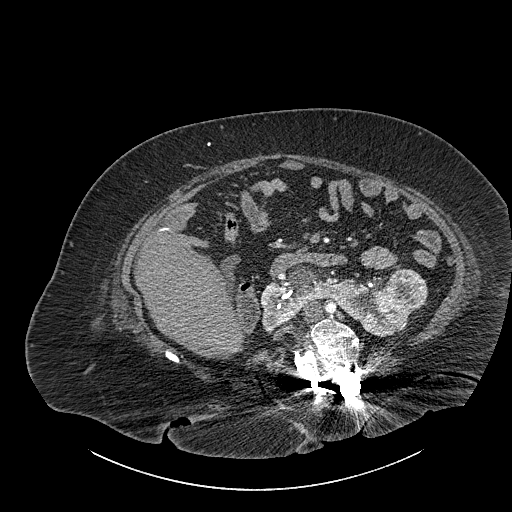
One axial slice (504 of 834, counting up from the lowest) of a contrast-enhanced abdominal CT acquired with 140 kVp, kernel I30f; each pixel is 0.977 mm and the slice is 1.00 mm thick.
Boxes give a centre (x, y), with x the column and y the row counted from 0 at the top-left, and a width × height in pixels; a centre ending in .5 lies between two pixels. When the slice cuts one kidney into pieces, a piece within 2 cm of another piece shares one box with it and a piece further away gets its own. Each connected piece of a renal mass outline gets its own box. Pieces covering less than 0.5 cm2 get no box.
One kidney box and one renal mass box on this slice; by box centre, from the image's left to its right: (1) Box centre (334, 300.5), 151 × 74 pixels: kidney crossing the body midline (outlined area 5,568 px, about 53.1 cm2). (2) Renal mass, box centre (406, 291), 43 × 45 pixels (outlined area 1,575 px, about 15.0 cm2).